Abdominal CT with intravenous contrast, arterial phase, axial plane, 120 kVp, kernel B30f. Slice 426/538 from the bottom of the scan; thickness 1.00 mm; pixel size 0.811 mm.
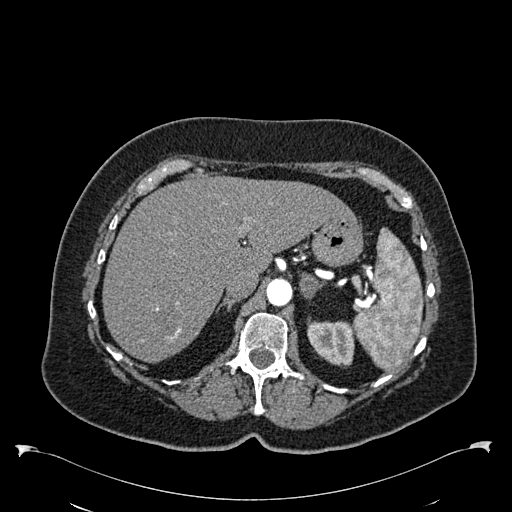
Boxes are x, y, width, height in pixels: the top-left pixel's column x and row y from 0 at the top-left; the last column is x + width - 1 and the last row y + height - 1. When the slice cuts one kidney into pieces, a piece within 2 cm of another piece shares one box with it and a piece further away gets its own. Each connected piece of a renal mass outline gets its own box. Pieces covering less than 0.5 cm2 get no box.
Box x 307, y 320, width 48, height 48: left kidney (outlined area 1,755 px, about 11.5 cm2). No renal mass is outlined on this slice.